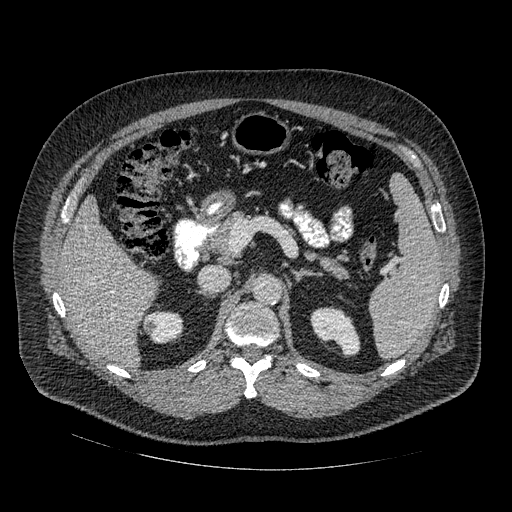
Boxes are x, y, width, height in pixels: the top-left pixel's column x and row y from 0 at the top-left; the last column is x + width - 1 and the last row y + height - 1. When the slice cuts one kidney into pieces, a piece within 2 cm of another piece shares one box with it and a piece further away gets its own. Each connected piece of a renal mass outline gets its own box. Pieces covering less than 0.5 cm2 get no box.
This is axial slice 309 of 445 (slice 1 is the lowest) of an arterial-phase abdominal CT with contrast; each pixel is 0.863 mm and the slice is 1.25 mm thick. Boxed on this slice (two kidney boxes), listed by box centre from the image's left to its right: (1) Box x 143, y 310, width 41, height 33: right kidney (outlined area 1,051 px, about 7.8 cm2). (2) Box x 311, y 306, width 50, height 51: left kidney (outlined area 1,605 px, about 12.0 cm2). No renal mass outline on this slice.
Scan settings: 120 kVp, STANDARD reconstruction kernel.